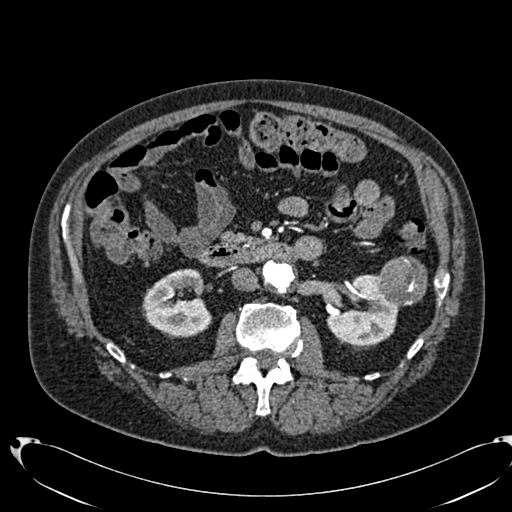
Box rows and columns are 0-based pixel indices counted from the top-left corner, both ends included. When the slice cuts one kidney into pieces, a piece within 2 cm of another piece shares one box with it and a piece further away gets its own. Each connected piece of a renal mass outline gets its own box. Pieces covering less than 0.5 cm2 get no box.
Slice 398/553 of a contrast-enhanced abdominal CT in the arterial phase, counting up from the lowest; pixel size 0.773 mm, slice thickness 1.00 mm. Two kidney boxes and one renal mass box on this slice; by box centre, from the image's left to its right: (1) Right kidney, box rows 268–336, columns 143–212 (outlined area 3,460 px, about 20.7 cm2). (2) Left kidney, box rows 274–345, columns 326–399 (outlined area 3,304 px, about 19.8 cm2). (3) Left renal mass, box rows 256–306, columns 374–427 (outlined area 2,063 px, about 12.3 cm2).
Scan settings: 120 kVp, B20f reconstruction kernel.